Abdominal CT with intravenous contrast, arterial phase, axial plane, 120 kVp, kernel B30f. Slice 34/70 from the bottom of the scan; thickness 5.00 mm; pixel size 0.977 mm.
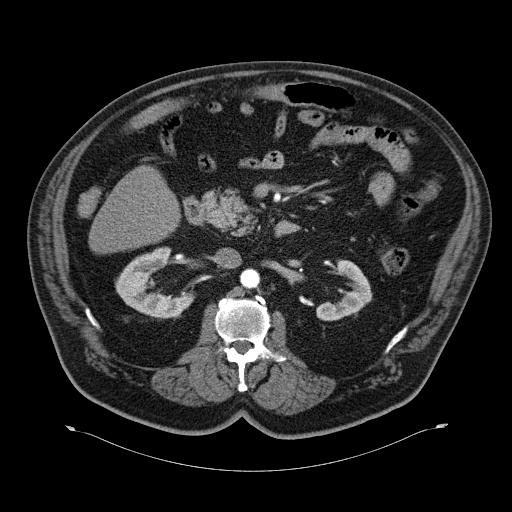
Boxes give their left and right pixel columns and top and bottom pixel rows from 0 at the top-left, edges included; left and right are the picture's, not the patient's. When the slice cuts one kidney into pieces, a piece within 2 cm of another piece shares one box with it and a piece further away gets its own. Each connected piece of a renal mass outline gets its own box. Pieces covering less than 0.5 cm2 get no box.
Two boxes on this slice (two kidney boxes), listed by box centre from the image's left to its right. (1) Right kidney in the box with left 115, top 248, right 193, bottom 318 (outlined area 3,027 px, about 28.9 cm2). (2) Left kidney in the box with left 315, top 260, right 372, bottom 320 (outlined area 1,812 px, about 17.3 cm2). This slice carries no renal mass outline.